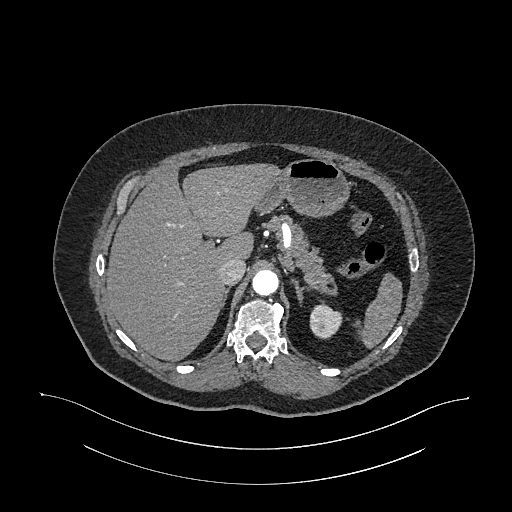
One axial slice (791 of 987, counting up from the lowest) of an arterial-phase abdominal CT acquired with 120 kVp, kernel I26f; each pixel is 0.977 mm and the slice is 1.00 mm thick.
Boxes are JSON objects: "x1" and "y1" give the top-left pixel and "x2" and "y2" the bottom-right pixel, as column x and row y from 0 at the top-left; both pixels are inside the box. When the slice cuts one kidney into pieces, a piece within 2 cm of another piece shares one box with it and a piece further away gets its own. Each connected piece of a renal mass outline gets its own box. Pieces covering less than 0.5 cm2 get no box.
Box {"x1": 309, "y1": 303, "x2": 342, "y2": 339}: left kidney (outlined area 886 px, about 8.4 cm2). No renal mass outline on this slice.